Contrast-enhanced abdominal CT, axial slice 47 of 86 (counted from the lowest slice); tube voltage 140 kVp, convolution kernel I44f; slices 3.00 mm thick, 0.977 mm per pixel.
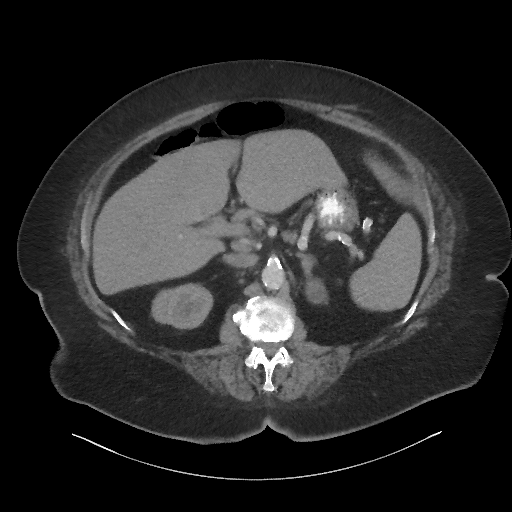
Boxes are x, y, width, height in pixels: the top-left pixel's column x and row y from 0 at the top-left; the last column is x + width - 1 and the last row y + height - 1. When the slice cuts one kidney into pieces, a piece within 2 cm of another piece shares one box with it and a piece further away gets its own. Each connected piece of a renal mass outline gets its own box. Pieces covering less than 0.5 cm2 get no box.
Box x 151, y 283, width 63, height 47: right kidney (outlined area 2,211 px, about 21.1 cm2). No renal mass outline on this slice.